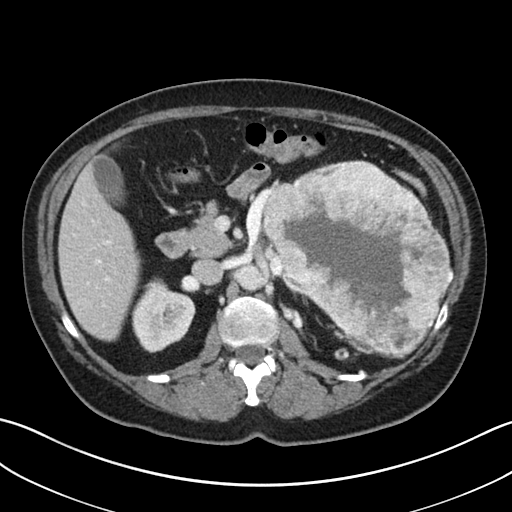
Abdominal CT with intravenous contrast, axial plane, 100 kVp, kernel I30f. Slice 22/38 from the bottom of the scan; thickness 5.00 mm; pixel size 0.730 mm.
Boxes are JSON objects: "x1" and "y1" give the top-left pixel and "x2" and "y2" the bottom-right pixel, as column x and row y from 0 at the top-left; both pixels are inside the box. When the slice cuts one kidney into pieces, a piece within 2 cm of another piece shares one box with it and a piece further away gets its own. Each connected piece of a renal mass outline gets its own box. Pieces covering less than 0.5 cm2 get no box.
Two boxes on this slice (one kidney box and one renal mass box), listed by box centre from the image's left to its right. (1) Right kidney at {"x1": 132, "y1": 277, "x2": 195, "y2": 352} (outlined area 3,309 px, about 17.7 cm2). (2) Left renal mass, box {"x1": 262, "y1": 160, "x2": 454, "y2": 358} (outlined area 25,484 px, about 136.0 cm2); on this slice it lies more than 1 cm from any kidney outline, but the same outlined renal mass comes within 1 cm of the kidney on another slice.